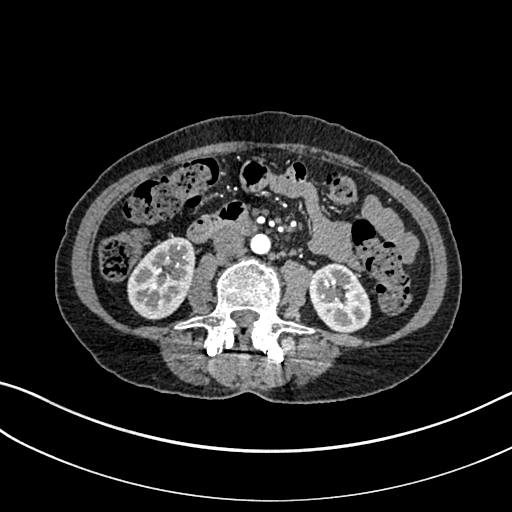
Arterial-phase contrast-enhanced abdominal CT, axial slice 105 of 325 (counted from the lowest slice); tube voltage 100 kVp, convolution kernel I30f; slices 1.00 mm thick, 0.703 mm per pixel.
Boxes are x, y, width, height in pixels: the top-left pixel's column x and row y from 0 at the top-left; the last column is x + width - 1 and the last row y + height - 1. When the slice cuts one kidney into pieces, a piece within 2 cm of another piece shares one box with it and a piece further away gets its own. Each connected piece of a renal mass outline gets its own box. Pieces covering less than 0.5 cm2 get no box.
Two kidney boxes on this slice; by box centre, from the image's left to its right: (1) Right kidney at x 127, y 236, width 69, height 85 (outlined area 4,170 px, about 20.6 cm2). (2) Left kidney at x 309, y 262, width 63, height 72 (outlined area 3,325 px, about 16.4 cm2). No renal mass outline on this slice.